Axial slice 456 of 723 of a contrast-enhanced abdominal CT in the arterial phase (slice 1 is the lowest), 120 kVp, kernel B30f; 1.00 mm slice thickness and 0.895 mm pixels.
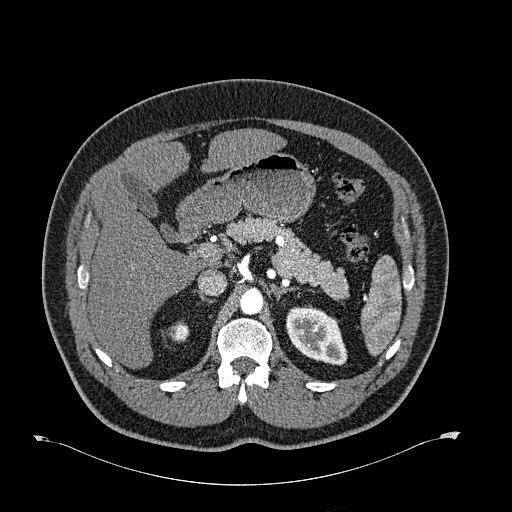
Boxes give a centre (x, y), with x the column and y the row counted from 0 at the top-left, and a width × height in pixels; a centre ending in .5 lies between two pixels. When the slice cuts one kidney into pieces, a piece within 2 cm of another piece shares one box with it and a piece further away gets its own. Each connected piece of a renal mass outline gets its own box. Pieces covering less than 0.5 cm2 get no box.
Two boxes on this slice (two kidney boxes), listed by box centre from the image's left to its right. (1) Right kidney in a box with centre (178, 331.5), 21 × 20 pixels (outlined area 315 px, about 2.5 cm2). (2) Left kidney in a box with centre (316, 335), 63 × 61 pixels (outlined area 2,648 px, about 21.2 cm2). This slice carries no renal mass outline.